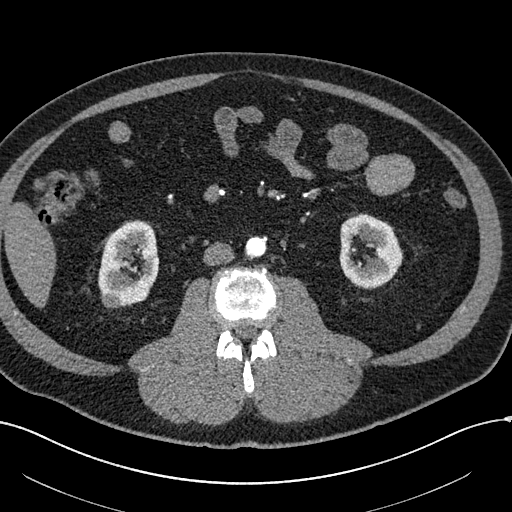
Abdominal CT with intravenous contrast, arterial phase, axial plane, 120 kVp, kernel I30f. Slice 259/602 from the bottom of the scan; thickness 1.00 mm; pixel size 0.799 mm.
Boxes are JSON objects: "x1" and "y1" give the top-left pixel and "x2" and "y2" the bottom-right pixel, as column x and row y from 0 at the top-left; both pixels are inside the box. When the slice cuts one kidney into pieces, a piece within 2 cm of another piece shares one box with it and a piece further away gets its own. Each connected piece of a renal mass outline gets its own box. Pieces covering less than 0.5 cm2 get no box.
Boxed on this slice (two kidney boxes and one renal mass box), listed by box centre from the image's left to its right: (1) Right renal mass, box {"x1": 101, "y1": 292, "x2": 120, "y2": 308} (outlined area 278 px, about 1.8 cm2). (2) Right kidney at {"x1": 98, "y1": 220, "x2": 159, "y2": 306} (outlined area 3,848 px, about 24.6 cm2). (3) Left kidney, box {"x1": 339, "y1": 214, "x2": 402, "y2": 289} (outlined area 3,470 px, about 22.1 cm2).